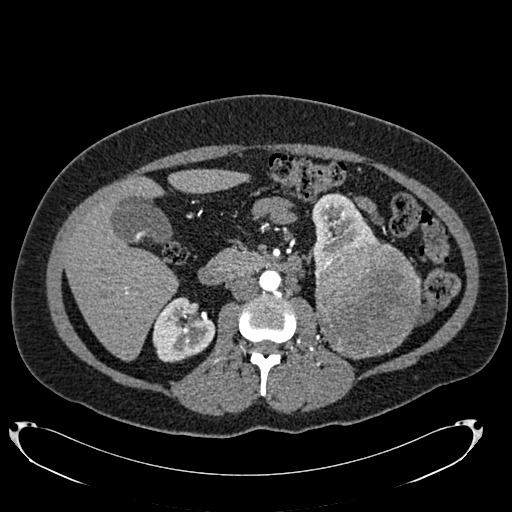
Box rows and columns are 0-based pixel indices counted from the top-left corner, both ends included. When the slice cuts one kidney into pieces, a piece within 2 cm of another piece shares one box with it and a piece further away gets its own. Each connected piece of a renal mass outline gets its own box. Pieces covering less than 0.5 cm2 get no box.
This is axial slice 411 of 634 (slice 1 is the lowest) of an arterial-phase abdominal CT with contrast; each pixel is 0.838 mm and the slice is 1.00 mm thick. Three boxes on this slice (two kidney boxes and one renal mass box), listed by box centre from the image's left to its right. (1) Box rows 297–362, columns 152–215: right kidney (outlined area 3,010 px, about 21.1 cm2). (2) Box rows 192–273, columns 312–377: left kidney (outlined area 2,792 px, about 19.6 cm2). (3) Left renal mass at rows 239–359, columns 315–420 (outlined area 10,167 px, about 71.4 cm2).
Scan settings: 120 kVp, B20f reconstruction kernel.